Arterial-phase contrast-enhanced abdominal CT, axial slice 338 of 538 (counted from the lowest slice); tube voltage 120 kVp, convolution kernel B30f; slices 1.00 mm thick, 0.811 mm per pixel.
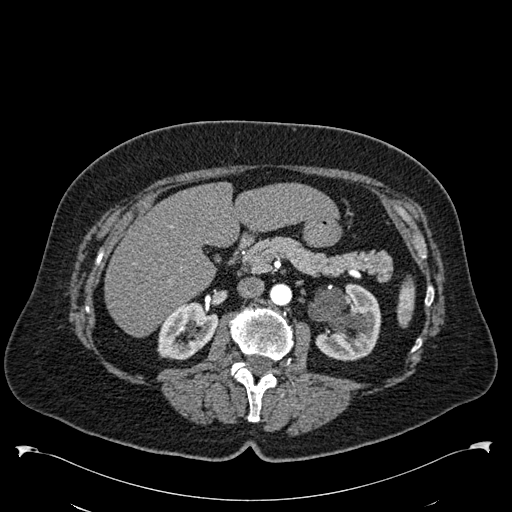
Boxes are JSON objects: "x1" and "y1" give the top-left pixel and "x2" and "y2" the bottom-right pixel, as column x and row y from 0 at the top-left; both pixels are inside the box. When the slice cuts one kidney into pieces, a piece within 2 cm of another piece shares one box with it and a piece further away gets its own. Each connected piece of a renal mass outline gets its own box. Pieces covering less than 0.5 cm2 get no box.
Two kidney boxes on this slice; by box centre, from the image's left to its right: (1) Right kidney, box {"x1": 157, "y1": 302, "x2": 218, "y2": 360} (outlined area 2,459 px, about 16.2 cm2). (2) Left kidney, box {"x1": 308, "y1": 284, "x2": 381, "y2": 361} (outlined area 4,222 px, about 27.7 cm2). No renal mass outline on this slice.